Contrast-enhanced abdominal CT, axial slice 437 of 787 (counted from the lowest slice); tube voltage 140 kVp, convolution kernel I30f; slices 1.00 mm thick, 0.910 mm per pixel.
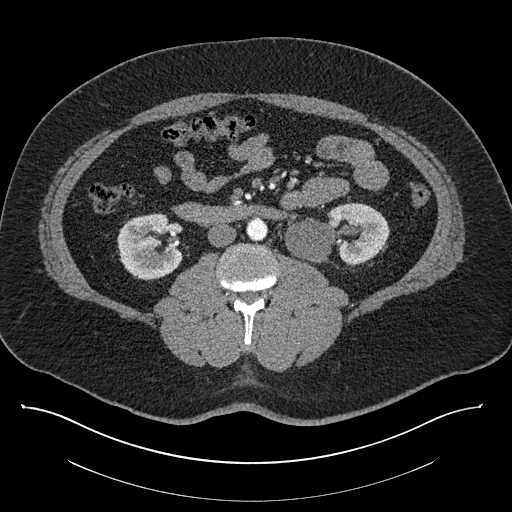
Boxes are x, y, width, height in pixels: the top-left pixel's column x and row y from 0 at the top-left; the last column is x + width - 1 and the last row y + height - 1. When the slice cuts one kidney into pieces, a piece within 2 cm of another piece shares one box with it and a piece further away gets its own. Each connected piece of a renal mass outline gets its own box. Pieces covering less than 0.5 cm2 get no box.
Boxed on this slice (two kidney boxes), listed by box centre from the image's left to its right: (1) Box x 117, y 213, width 66, height 68: right kidney (outlined area 3,341 px, about 27.7 cm2). (2) Left kidney, box x 284, y 202, width 106, height 63 (outlined area 4,571 px, about 37.9 cm2). This slice carries no renal mass outline.